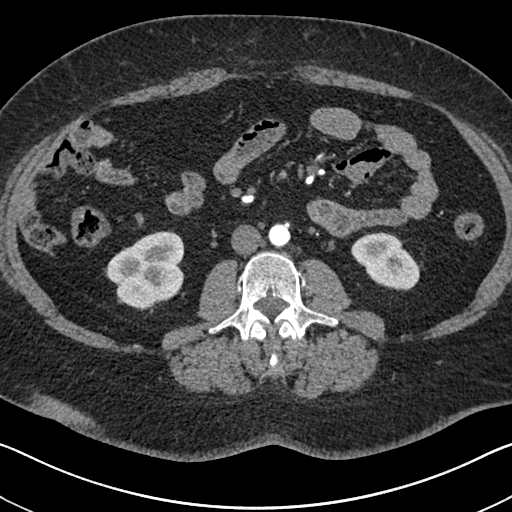
Abdominal CT with intravenous contrast, arterial phase, axial plane, 140 kVp, kernel I30f. Slice 316/591 from the bottom of the scan; thickness 1.00 mm; pixel size 0.703 mm.
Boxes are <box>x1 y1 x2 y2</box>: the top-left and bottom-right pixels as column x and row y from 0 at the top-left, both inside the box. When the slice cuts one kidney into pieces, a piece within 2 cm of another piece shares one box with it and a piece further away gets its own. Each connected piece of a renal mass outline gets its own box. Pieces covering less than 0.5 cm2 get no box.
Two kidney boxes on this slice; by box centre, from the image's left to its right: (1) Right kidney at <box>105 231 184 310</box> (outlined area 4,550 px, about 22.5 cm2). (2) Left kidney at <box>351 232 420 290</box> (outlined area 2,769 px, about 13.7 cm2). No renal mass is outlined on this slice.